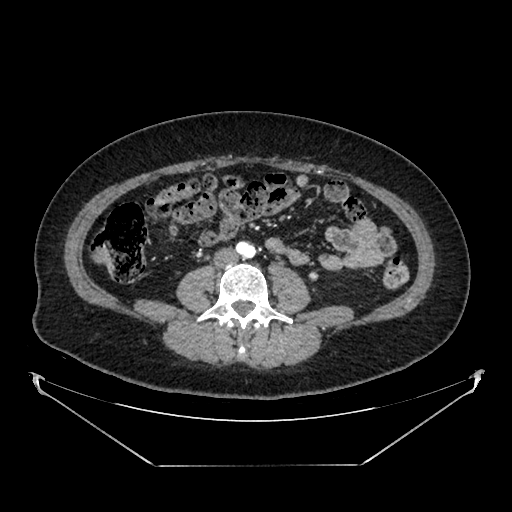
Abdominal CT with intravenous contrast, arterial phase, axial plane, 100 kVp, kernel SOFT. Slice 181/383 from the bottom of the scan; thickness 1.25 mm; pixel size 0.898 mm.
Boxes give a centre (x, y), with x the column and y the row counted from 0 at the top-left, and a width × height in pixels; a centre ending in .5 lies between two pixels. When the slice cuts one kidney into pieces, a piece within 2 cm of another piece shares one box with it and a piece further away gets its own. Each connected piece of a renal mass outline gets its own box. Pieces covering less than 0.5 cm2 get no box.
Box centre (313.5, 276), 10 × 11 pixels: left kidney (outlined area 79 px, about 0.6 cm2). No renal mass is outlined on this slice.